Axial slice 24 of 52 of a contrast-enhanced abdominal CT in the arterial phase (slice 1 is the lowest), 120 kVp, kernel B30f; 3.00 mm slice thickness and 0.678 mm pixels.
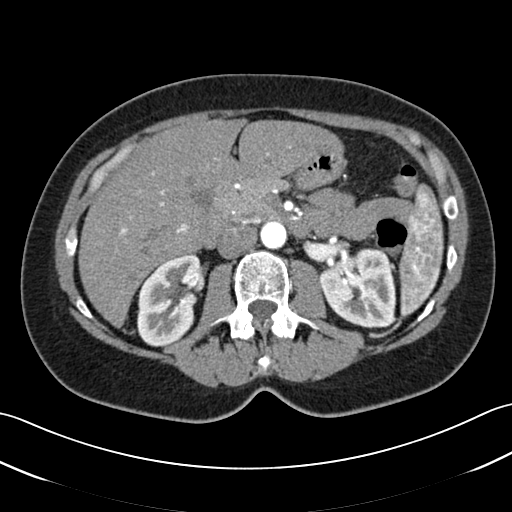
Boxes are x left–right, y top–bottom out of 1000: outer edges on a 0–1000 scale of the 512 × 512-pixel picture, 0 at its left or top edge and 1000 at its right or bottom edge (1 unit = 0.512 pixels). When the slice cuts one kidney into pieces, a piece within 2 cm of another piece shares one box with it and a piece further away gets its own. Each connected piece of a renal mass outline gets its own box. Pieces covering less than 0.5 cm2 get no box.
Two boxes on this slice (two kidney boxes), listed by box centre from the image's left to its right. (1) Right kidney, box x 268–400, y 496–678 out of 1000 (outlined area 4,604 px, about 21.1 cm2). (2) Left kidney, box x 623–775, y 482–643 out of 1000 (outlined area 4,805 px, about 22.1 cm2). This slice carries no renal mass outline.